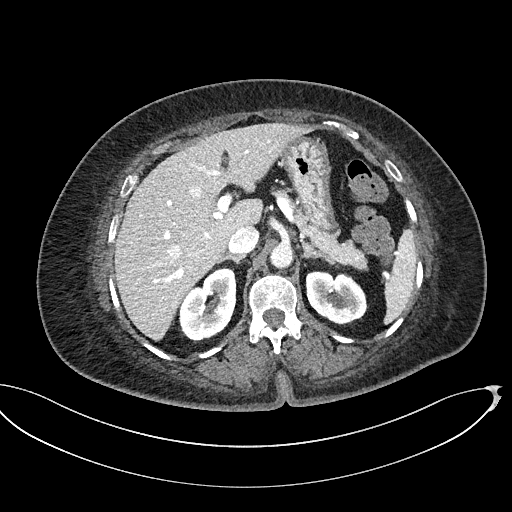
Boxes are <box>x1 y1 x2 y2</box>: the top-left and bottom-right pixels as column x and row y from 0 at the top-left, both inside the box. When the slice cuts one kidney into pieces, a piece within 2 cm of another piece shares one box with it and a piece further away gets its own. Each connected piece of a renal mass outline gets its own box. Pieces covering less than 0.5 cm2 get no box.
Slice 343/439 of a contrast-enhanced abdominal CT, counting up from the lowest; pixel size 0.850 mm, slice thickness 2.00 mm. Two boxes on this slice (two kidney boxes), listed by box centre from the image's left to its right. (1) At <box>179 267 236 342</box>: right kidney (outlined area 3,109 px, about 22.4 cm2). (2) Left kidney: <box>305 270 367 324</box> (outlined area 2,576 px, about 18.6 cm2). This slice carries no renal mass outline.
Acquired at 100 kVp and reconstructed with the I40f kernel.